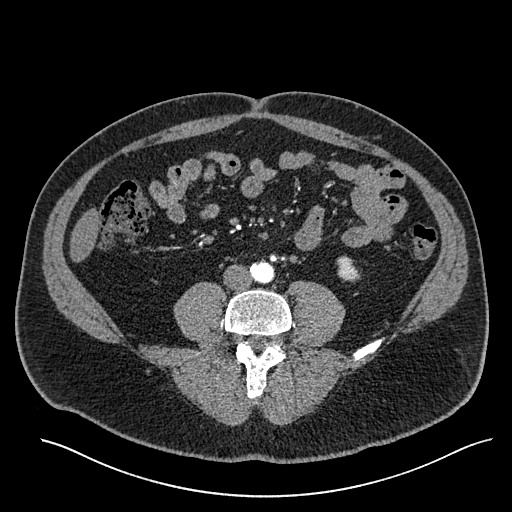
One axial slice (182 of 527, counting up from the lowest) of an arterial-phase abdominal CT acquired with 120 kVp, kernel I30f; each pixel is 0.859 mm and the slice is 1.00 mm thick.
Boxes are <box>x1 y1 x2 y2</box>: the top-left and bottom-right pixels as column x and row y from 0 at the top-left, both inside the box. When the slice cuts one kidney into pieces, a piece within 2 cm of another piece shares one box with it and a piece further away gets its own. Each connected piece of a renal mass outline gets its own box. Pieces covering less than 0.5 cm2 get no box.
At <box>336 255 360 282</box>: left kidney (outlined area 466 px, about 3.4 cm2). This slice carries no renal mass outline.